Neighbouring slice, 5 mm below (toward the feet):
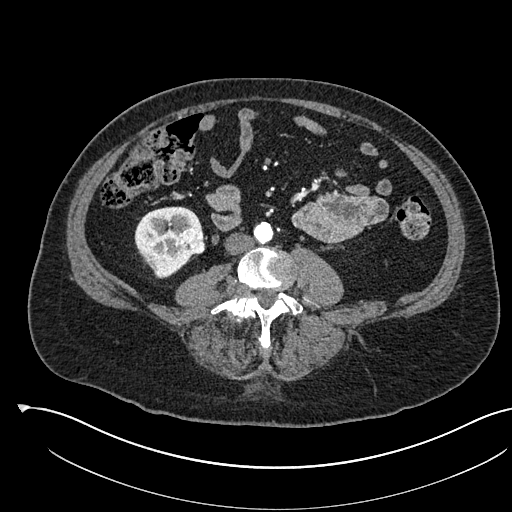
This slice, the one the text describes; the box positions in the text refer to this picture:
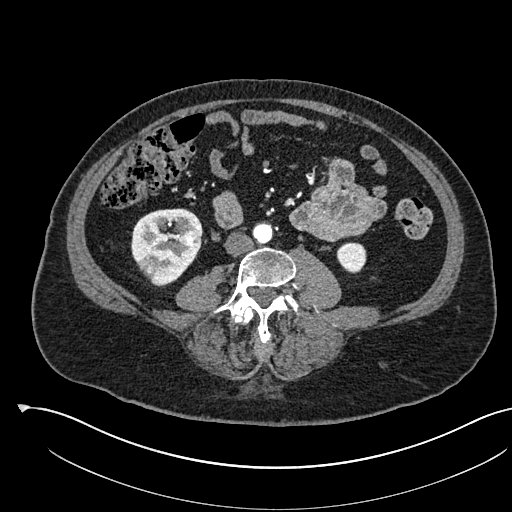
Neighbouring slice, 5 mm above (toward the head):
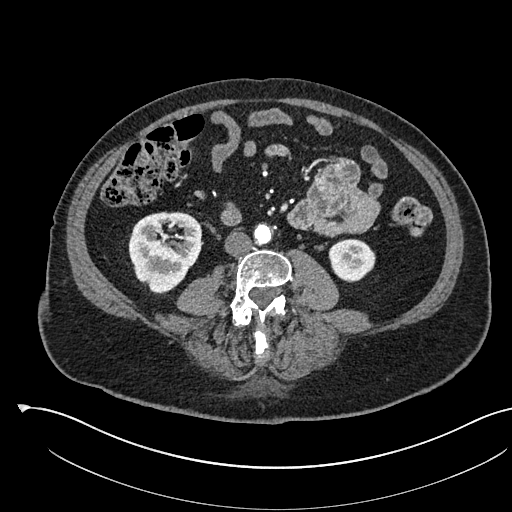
Axial slice 224 of 541 of a contrast-enhanced abdominal CT in the arterial phase (slice 1 is the lowest), 120 kVp, kernel I30f; 1.00 mm slice thickness and 0.834 mm pixels.
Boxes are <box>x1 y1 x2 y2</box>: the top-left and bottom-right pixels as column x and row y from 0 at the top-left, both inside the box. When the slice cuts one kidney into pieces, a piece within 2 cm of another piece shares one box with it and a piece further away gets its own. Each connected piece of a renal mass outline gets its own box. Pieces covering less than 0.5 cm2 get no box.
Boxed on this slice (two kidney boxes and one renal mass box), listed by box centre from the image's left to its right: (1) Right kidney: <box>131 208 201 286</box> (outlined area 4,137 px, about 28.8 cm2). (2) Right renal mass: <box>182 232 195 243</box> (outlined area 125 px, about 0.9 cm2). (3) Left kidney at <box>336 242 366 272</box> (outlined area 753 px, about 5.2 cm2). This slice is near the end of the right renal mass toward the head, so the slices 5 mm below and 5 mm above it are shown as well; the boxes refer to this slice only.